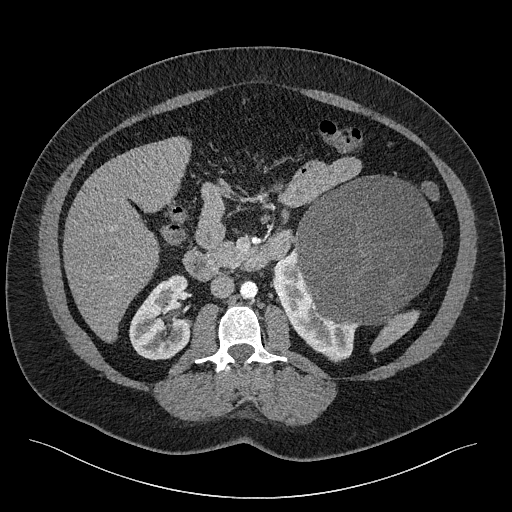
One axial slice (125 of 301, counting up from the lowest) of a contrast-enhanced abdominal CT acquired with 120 kVp, kernel I40f; each pixel is 0.859 mm and the slice is 2.00 mm thick.
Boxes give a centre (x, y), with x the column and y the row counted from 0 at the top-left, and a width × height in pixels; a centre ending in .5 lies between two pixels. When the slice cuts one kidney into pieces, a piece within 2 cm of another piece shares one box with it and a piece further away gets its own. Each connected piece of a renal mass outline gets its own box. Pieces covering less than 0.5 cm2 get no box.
Three boxes on this slice (two kidney boxes and one renal mass box), listed by box centre from the image's left to its right. (1) Box centre (160.5, 317), 64 × 87 pixels: right kidney (outlined area 3,899 px, about 28.8 cm2). (2) Left kidney, box centre (315, 301), 87 × 123 pixels (outlined area 3,713 px, about 27.4 cm2). (3) Box centre (368, 250.5), 149 × 152 pixels: left renal mass (outlined area 17,031 px, about 125.8 cm2).